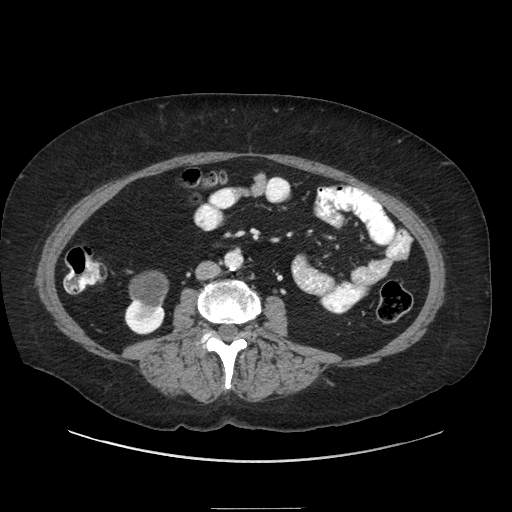
Abdominal CT with intravenous contrast, axial plane, 120 kVp, kernel STANDARD. Slice 105/186 from the bottom of the scan; thickness 2.50 mm; pixel size 0.850 mm.
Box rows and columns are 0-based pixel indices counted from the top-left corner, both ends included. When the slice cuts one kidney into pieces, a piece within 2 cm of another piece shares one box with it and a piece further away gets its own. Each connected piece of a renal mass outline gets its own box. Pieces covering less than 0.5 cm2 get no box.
Two boxes on this slice (one kidney box and one renal mass box), listed by box centre from the image's left to its right. (1) Box rows 300–334, columns 124–164: right kidney (outlined area 794 px, about 5.7 cm2). (2) Box rows 271–317, columns 129–168: right renal mass (outlined area 1,375 px, about 9.9 cm2).